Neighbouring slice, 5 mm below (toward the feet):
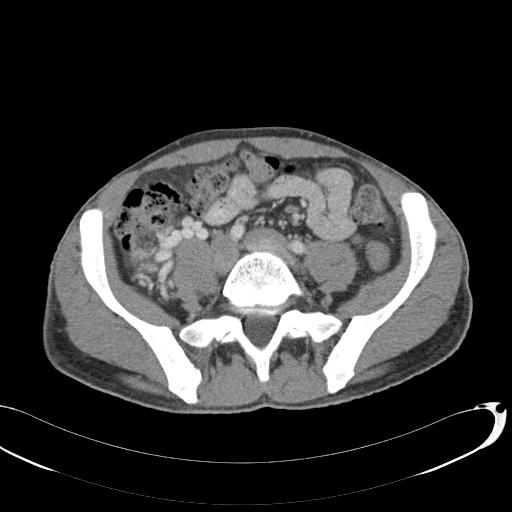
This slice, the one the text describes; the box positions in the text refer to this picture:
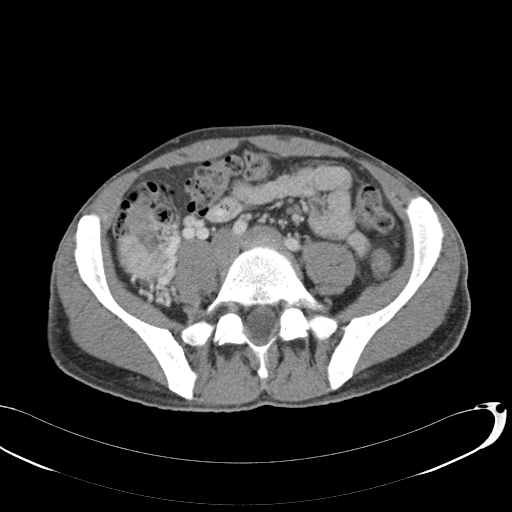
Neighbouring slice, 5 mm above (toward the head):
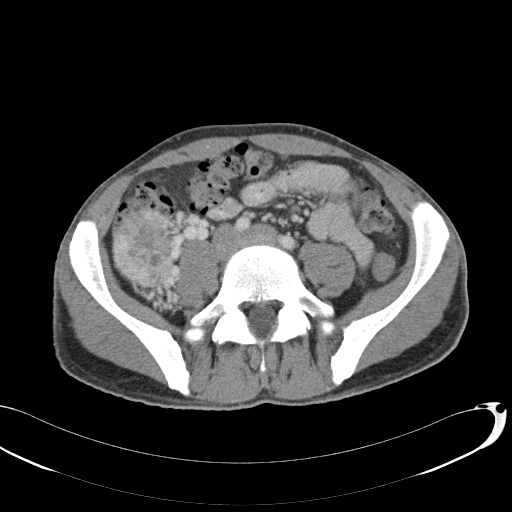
One axial slice (45 of 146, counting up from the lowest) of a contrast-enhanced abdominal CT acquired with 120 kVp, kernel B31f; each pixel is 0.742 mm and the slice is 5.00 mm thick.
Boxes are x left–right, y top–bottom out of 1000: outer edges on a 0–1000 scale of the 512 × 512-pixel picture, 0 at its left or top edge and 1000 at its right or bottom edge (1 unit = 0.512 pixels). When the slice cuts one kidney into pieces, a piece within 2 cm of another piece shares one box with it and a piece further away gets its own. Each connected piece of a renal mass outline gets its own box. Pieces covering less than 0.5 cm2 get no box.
Right renal mass at x 236–328, y 381–553 out of 1000 (outlined area 2,762 px, about 15.2 cm2); no kidney outline appears on this slice, but the same outlined renal mass comes within 1 cm of the kidney on another slice. This slice is near the end of the right renal mass toward the feet, so the slices 5 mm below and 5 mm above it are shown as well; the boxes refer to this slice only.